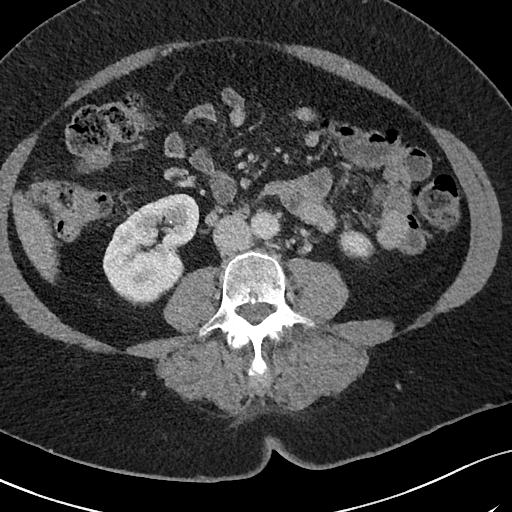
Abdominal CT with intravenous contrast, arterial phase, axial plane, 120 kVp, kernel I40f. Slice 29/69 from the bottom of the scan; thickness 3.00 mm; pixel size 0.664 mm.
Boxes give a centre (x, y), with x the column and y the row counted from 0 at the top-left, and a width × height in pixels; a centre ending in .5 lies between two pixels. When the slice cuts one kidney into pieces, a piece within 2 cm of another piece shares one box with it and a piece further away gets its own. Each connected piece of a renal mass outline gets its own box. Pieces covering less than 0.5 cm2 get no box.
Boxed on this slice (two kidney boxes), listed by box centre from the image's left to its right: (1) Right kidney, box centre (151, 249.5), 97 × 114 pixels (outlined area 7,312 px, about 32.2 cm2). (2) Left kidney in a box with centre (356, 244.5), 37 × 32 pixels (outlined area 799 px, about 3.5 cm2). This slice carries no renal mass outline.